Abdominal CT with intravenous contrast, axial plane, 100 kVp, kernel I40f. Slice 38/76 from the bottom of the scan; thickness 3.00 mm; pixel size 0.768 mm.
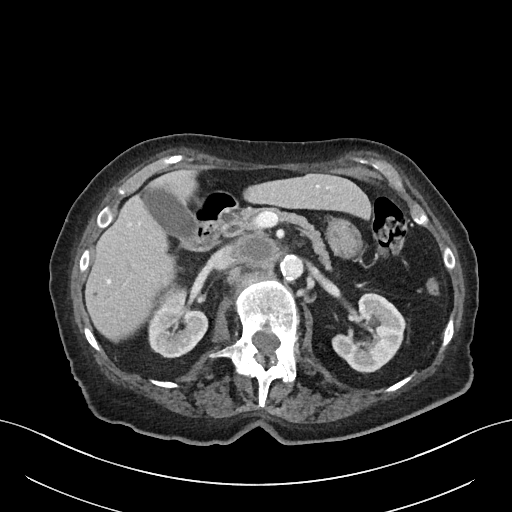
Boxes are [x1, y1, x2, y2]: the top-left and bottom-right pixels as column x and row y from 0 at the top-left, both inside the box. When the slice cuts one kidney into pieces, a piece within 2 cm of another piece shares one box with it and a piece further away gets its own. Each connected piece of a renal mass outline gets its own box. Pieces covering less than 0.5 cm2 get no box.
Two kidney boxes on this slice; by box centre, from the image's left to its right: (1) Box [148, 287, 208, 358]: right kidney (outlined area 2,962 px, about 17.5 cm2). (2) Left kidney, box [331, 292, 406, 373] (outlined area 3,830 px, about 22.6 cm2). No renal mass is outlined on this slice.